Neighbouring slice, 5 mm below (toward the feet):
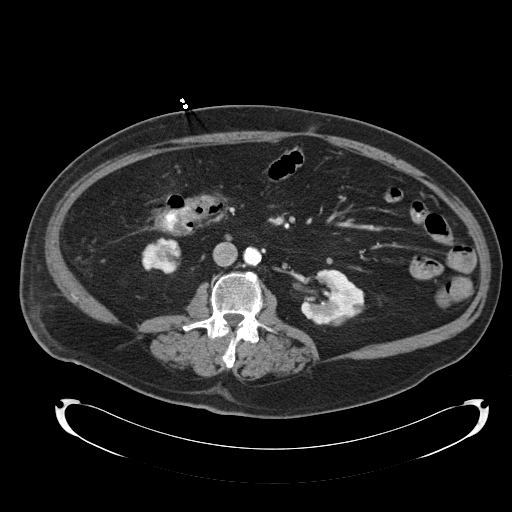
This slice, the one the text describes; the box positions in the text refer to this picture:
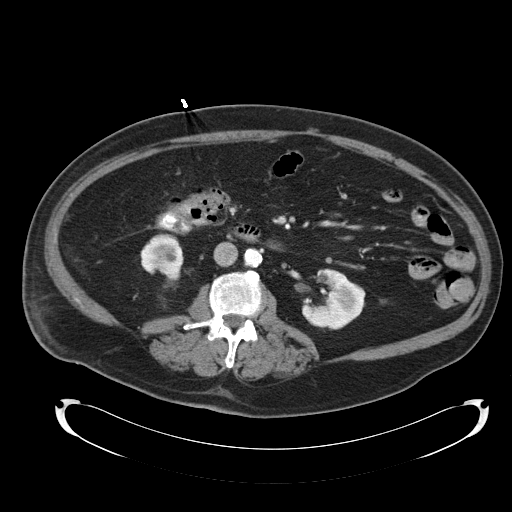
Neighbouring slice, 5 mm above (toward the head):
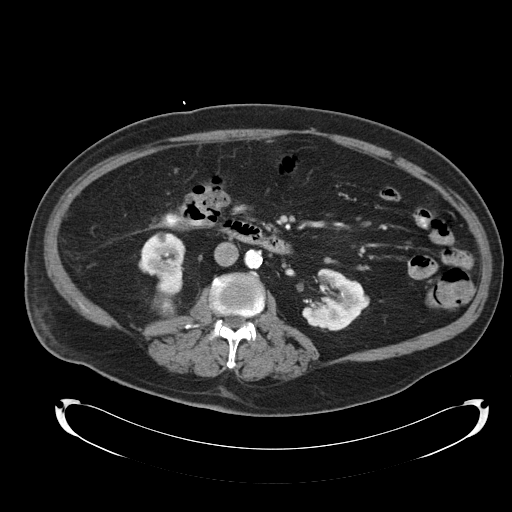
Abdominal CT with intravenous contrast, axial plane, 120 kVp, kernel B30f. Slice 56/92 from the bottom of the scan; thickness 5.00 mm; pixel size 0.918 mm.
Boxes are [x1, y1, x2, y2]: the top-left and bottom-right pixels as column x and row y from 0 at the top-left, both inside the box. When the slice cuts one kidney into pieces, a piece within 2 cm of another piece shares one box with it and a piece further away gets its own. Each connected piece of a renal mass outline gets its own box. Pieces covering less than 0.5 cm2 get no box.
Three boxes on this slice (two kidney boxes and one renal mass box), listed by box centre from the image's left to its right. (1) Right kidney at [140, 234, 183, 275] (outlined area 1,385 px, about 11.7 cm2). (2) Right renal mass at [163, 268, 181, 288] (outlined area 252 px, about 2.1 cm2). (3) Box [301, 269, 365, 329]: left kidney (outlined area 2,553 px, about 21.5 cm2). This slice lies near the end of the right renal mass toward the feet; the slices 5 mm below and 5 mm above it are shown too, and the boxes mark positions on this slice only.